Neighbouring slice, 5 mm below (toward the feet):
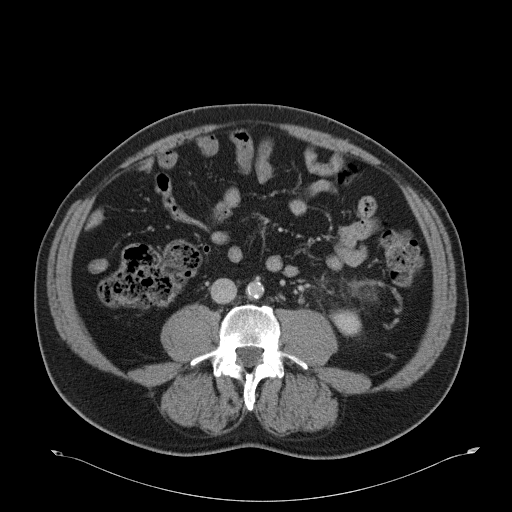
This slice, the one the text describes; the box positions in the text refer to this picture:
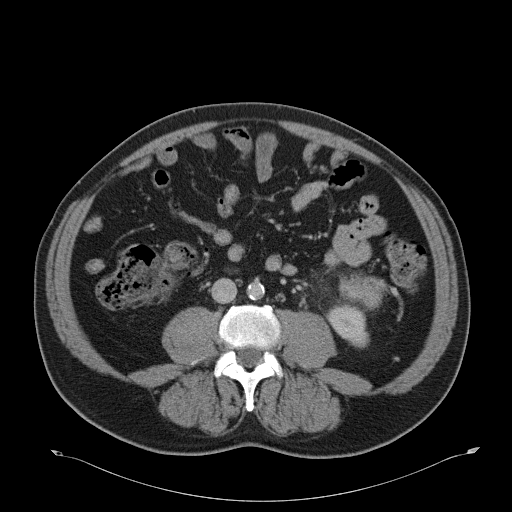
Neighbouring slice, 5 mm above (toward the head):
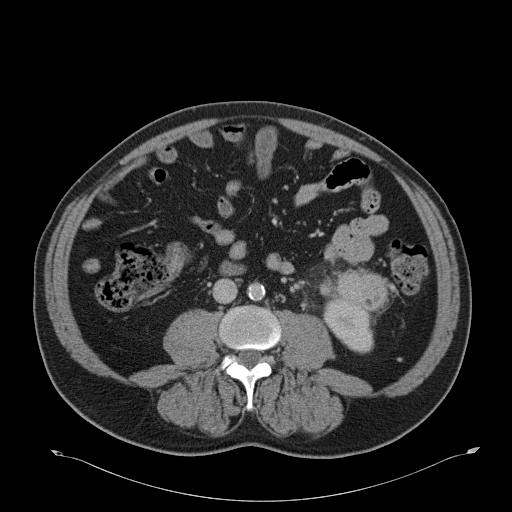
One axial slice (9 of 51, counting up from the lowest) of a contrast-enhanced abdominal CT acquired with 120 kVp, kernel B31f; each pixel is 0.865 mm and the slice is 5.00 mm thick.
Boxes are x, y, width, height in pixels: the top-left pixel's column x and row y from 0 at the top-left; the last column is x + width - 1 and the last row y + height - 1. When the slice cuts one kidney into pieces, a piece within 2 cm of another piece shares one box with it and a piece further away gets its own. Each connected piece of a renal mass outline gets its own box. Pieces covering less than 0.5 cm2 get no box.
Boxed on this slice (one kidney box and one renal mass box), listed by box centre from the image's left to its right: (1) Left kidney, box x 327, y 304, width 43, height 45 (outlined area 1,323 px, about 9.9 cm2). (2) Box x 339, y 276, width 46, height 33: left renal mass (outlined area 1,155 px, about 8.6 cm2). This slice lies near the end of the left renal mass toward the feet; the slices 5 mm below and 5 mm above it are shown too, and the boxes mark positions on this slice only.